Abdominal CT with intravenous contrast, arterial phase, axial plane, 120 kVp, kernel I26f. Slice 599/987 from the bottom of the scan; thickness 1.00 mm; pixel size 0.977 mm.
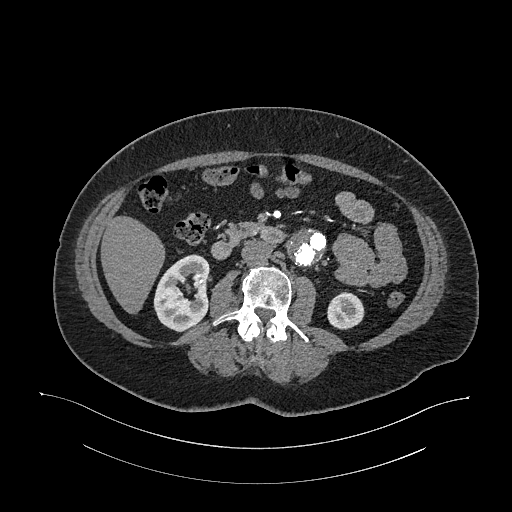
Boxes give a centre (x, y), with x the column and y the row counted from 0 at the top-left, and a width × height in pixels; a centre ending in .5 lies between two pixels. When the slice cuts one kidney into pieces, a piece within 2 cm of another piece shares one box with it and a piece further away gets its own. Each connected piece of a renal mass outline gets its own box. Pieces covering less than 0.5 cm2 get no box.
Two boxes on this slice (two kidney boxes), listed by box centre from the image's left to its right. (1) Right kidney, box centre (182, 293), 59 × 79 pixels (outlined area 3,275 px, about 31.2 cm2). (2) Left kidney in a box with centre (345.5, 310), 38 × 39 pixels (outlined area 1,116 px, about 10.6 cm2). No renal mass is outlined on this slice.